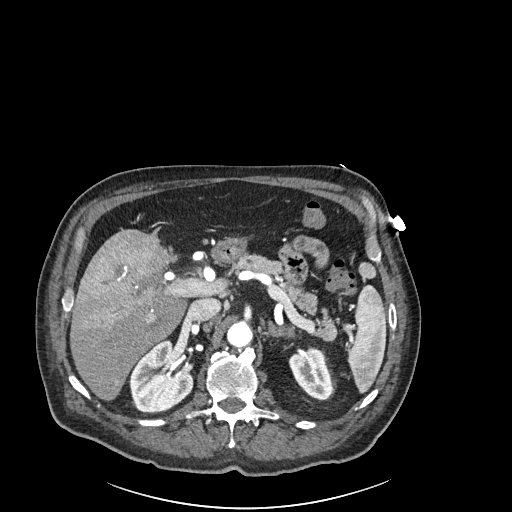
Abdominal CT with intravenous contrast, arterial phase, axial plane, 120 kVp, kernel I30f. Slice 151/261 from the bottom of the scan; thickness 2.00 mm; pixel size 0.939 mm.
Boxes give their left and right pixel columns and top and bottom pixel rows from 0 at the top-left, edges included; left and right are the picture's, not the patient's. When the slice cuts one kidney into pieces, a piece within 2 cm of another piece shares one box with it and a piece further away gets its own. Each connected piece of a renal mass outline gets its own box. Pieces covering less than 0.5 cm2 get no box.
Boxed on this slice (two kidney boxes), listed by box centre from the image's left to its right: (1) Box with left 128, top 339, right 193, bottom 414: right kidney (outlined area 3,481 px, about 30.7 cm2). (2) Left kidney in the box with left 288, top 348, right 332, bottom 399 (outlined area 1,563 px, about 13.8 cm2). No renal mass is outlined on this slice.